One axial slice (384 of 734, counting up from the lowest) of a contrast-enhanced abdominal CT acquired with 120 kVp, kernel B31f; each pixel is 0.971 mm and the slice is 2.00 mm thick.
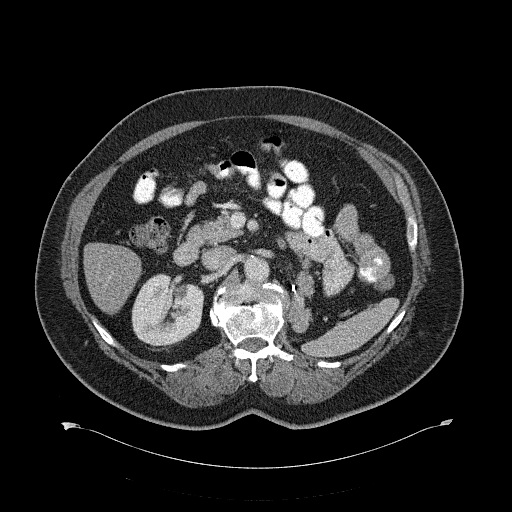
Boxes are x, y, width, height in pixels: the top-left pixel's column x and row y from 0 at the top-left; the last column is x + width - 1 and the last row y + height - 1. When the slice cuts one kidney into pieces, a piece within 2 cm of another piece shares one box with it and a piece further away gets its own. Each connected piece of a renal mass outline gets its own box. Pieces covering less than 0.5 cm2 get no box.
Right kidney at x 131, y 273, width 72, height 76 (outlined area 4,162 px, about 39.2 cm2). No renal mass outline on this slice.